Axial slice 130 of 206 of a contrast-enhanced abdominal CT (slice 1 is the lowest), 120 kVp, kernel STANDARD; 2.50 mm slice thickness and 0.879 mm pixels.
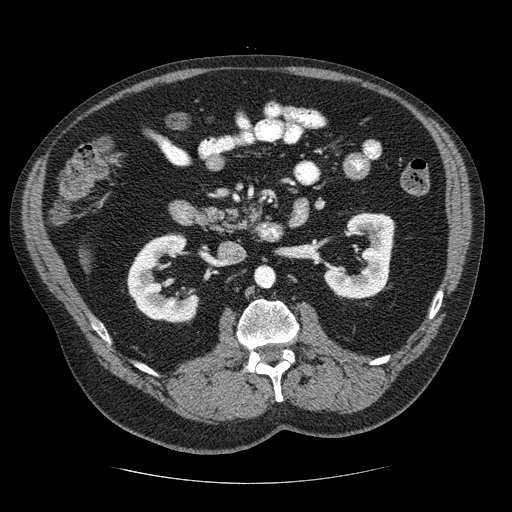
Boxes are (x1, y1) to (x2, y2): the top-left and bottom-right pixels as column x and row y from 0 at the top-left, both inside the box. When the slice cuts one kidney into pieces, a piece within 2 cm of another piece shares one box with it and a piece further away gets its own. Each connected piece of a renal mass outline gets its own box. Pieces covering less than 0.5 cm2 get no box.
Two boxes on this slice (two kidney boxes), listed by box centre from the image's left to its right. (1) Right kidney from (126, 233) to (199, 323) (outlined area 4,018 px, about 31.0 cm2). (2) Left kidney from (323, 212) to (395, 299) (outlined area 3,829 px, about 29.6 cm2). This slice carries no renal mass outline.